Abdominal CT with intravenous contrast, arterial phase, axial plane, 100 kVp, kernel I40f. Slice 96/145 from the bottom of the scan; thickness 3.00 mm; pixel size 0.834 mm.
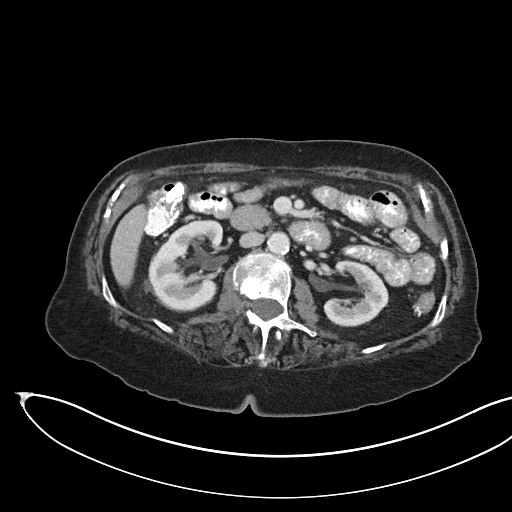
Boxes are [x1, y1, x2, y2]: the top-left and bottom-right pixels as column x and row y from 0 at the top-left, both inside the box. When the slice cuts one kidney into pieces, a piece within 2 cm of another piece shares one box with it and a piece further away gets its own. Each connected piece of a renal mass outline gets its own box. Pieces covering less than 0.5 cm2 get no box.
Two boxes on this slice (two kidney boxes), listed by box centre from the image's left to its right. (1) Box [148, 219, 223, 310]: kidney (outlined area 5,043 px, about 35.1 cm2). (2) Box [323, 260, 388, 327]: kidney (outlined area 2,879 px, about 20.0 cm2). This slice carries no renal mass outline.